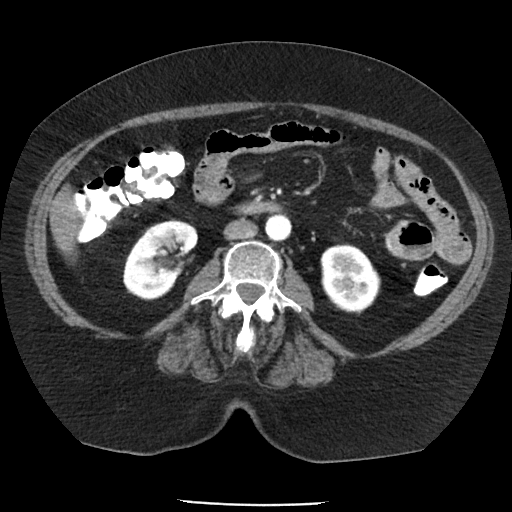
Abdominal CT with intravenous contrast, arterial phase, axial plane, 120 kVp, kernel FC19. Slice 50/85 from the bottom of the scan; thickness 5.00 mm; pixel size 0.741 mm.
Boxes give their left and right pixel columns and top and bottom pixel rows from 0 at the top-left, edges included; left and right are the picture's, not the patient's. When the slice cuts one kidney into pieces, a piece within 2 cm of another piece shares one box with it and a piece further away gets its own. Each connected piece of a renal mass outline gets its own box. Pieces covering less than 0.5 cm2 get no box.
Boxed on this slice (two kidney boxes and one renal mass box), listed by box centre from the image's left to its right: (1) Right renal mass in the box with left 143, top 222, right 175, bottom 247 (outlined area 601 px, about 3.3 cm2). (2) Right kidney, the box with left 123, top 219, right 197, bottom 300 (outlined area 3,569 px, about 19.6 cm2). (3) Left kidney in the box with left 320, top 243, right 380, bottom 314 (outlined area 3,232 px, about 17.7 cm2).